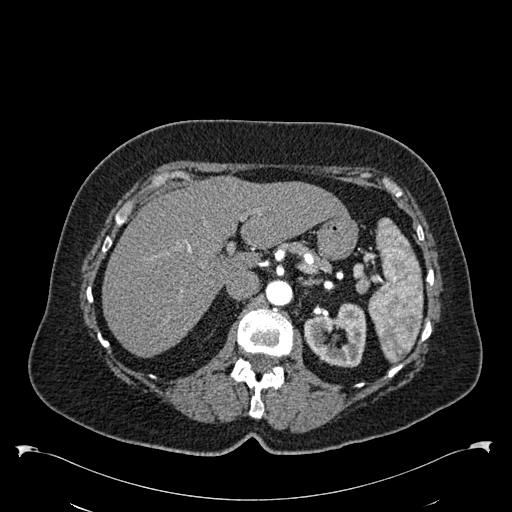
One axial slice (397 of 538, counting up from the lowest) of an arterial-phase abdominal CT acquired with 120 kVp, kernel B30f; each pixel is 0.811 mm and the slice is 1.00 mm thick.
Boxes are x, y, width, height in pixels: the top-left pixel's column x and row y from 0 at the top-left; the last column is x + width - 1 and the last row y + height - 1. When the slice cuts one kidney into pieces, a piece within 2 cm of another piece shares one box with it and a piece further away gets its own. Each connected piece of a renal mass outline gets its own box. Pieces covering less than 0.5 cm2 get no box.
Left kidney at x 304, y 302, width 63, height 66 (outlined area 2,885 px, about 19.0 cm2). No renal mass is outlined on this slice.